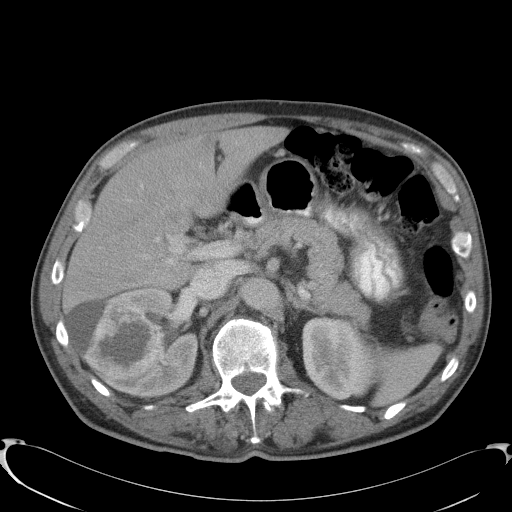
Axial slice 70 of 91 of a contrast-enhanced abdominal CT (slice 1 is the lowest), 120 kVp, kernel B41f; 5.00 mm slice thickness and 0.762 mm pixels.
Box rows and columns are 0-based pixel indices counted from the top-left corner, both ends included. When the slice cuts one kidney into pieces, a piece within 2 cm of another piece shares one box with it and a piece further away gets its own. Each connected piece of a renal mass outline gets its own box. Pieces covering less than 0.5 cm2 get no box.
Three boxes on this slice (two kidney boxes and one renal mass box), listed by box centre from the image's left to its right. (1) Right renal mass at rows 299–379, columns 83–165 (outlined area 4,706 px, about 27.3 cm2). (2) Right kidney, box rows 288–397, columns 64–198 (outlined area 6,300 px, about 36.6 cm2). (3) Left kidney at rows 317–400, columns 302–380 (outlined area 5,104 px, about 29.6 cm2).